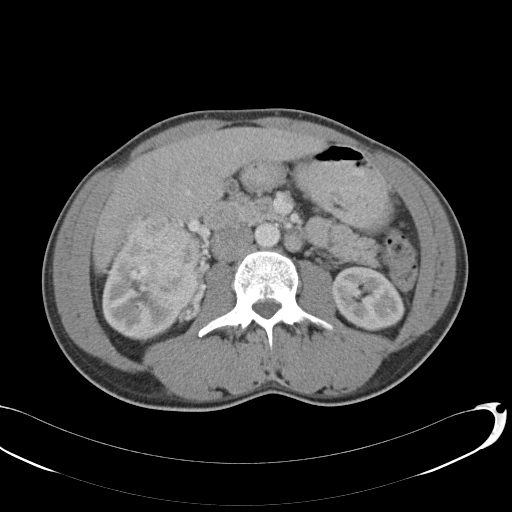
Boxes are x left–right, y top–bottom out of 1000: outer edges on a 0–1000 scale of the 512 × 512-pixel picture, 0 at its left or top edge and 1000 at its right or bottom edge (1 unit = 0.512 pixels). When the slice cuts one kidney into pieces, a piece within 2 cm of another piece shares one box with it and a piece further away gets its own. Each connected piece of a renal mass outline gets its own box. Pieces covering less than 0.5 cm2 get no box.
This is axial slice 61 of 146 (slice 1 is the lowest) of an abdominal CT with contrast; each pixel is 0.742 mm and the slice is 5.00 mm thick. Three boxes on this slice (two kidney boxes and one renal mass box), listed by box centre from the image's left to its right. (1) Right kidney, box x 197–379, y 473–670 out of 1000 (outlined area 4,050 px, about 22.3 cm2). (2) Right renal mass at x 244–395, y 428–607 out of 1000 (outlined area 5,068 px, about 27.9 cm2). (3) Box x 648–793, y 520–648 out of 1000: left kidney (outlined area 3,629 px, about 20.0 cm2).
Scan settings: 120 kVp, B31f reconstruction kernel.